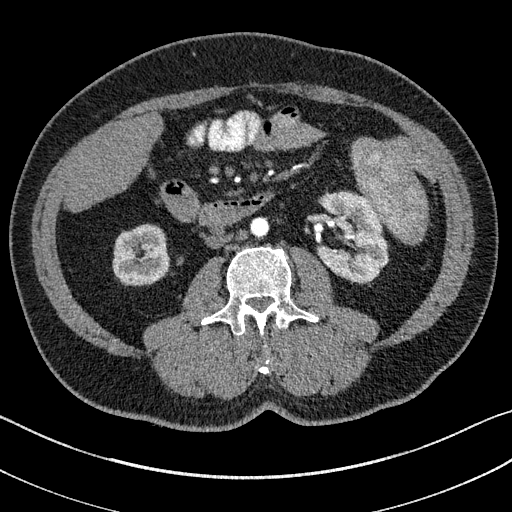
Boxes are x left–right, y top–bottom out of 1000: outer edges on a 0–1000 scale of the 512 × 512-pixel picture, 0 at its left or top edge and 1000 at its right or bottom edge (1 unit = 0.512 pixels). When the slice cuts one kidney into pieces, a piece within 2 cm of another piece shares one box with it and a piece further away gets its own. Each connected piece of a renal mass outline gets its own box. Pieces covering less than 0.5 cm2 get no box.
This is axial slice 67 of 195 (slice 1 is the lowest) of an arterial-phase abdominal CT with contrast; each pixel is 0.707 mm and the slice is 1.50 mm thick. Boxed on this slice (two kidney boxes), listed by box centre from the image's left to its right: (1) Right kidney, box x 219–332, y 438–559 out of 1000 (outlined area 2,846 px, about 14.2 cm2). (2) Box x 617–760, y 373–555 out of 1000: left kidney (outlined area 4,752 px, about 23.8 cm2). This slice carries no renal mass outline.
Tube voltage 100 kVp; convolution kernel I31f.